Arterial-phase contrast-enhanced abdominal CT, axial slice 72 of 304 (counted from the lowest slice); tube voltage 100 kVp, convolution kernel I30f; slices 2.00 mm thick, 0.809 mm per pixel.
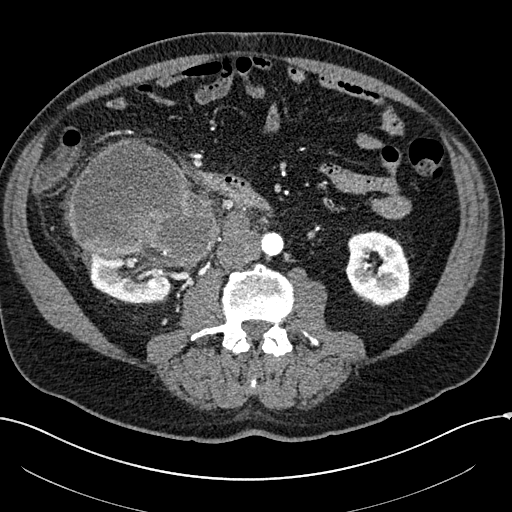
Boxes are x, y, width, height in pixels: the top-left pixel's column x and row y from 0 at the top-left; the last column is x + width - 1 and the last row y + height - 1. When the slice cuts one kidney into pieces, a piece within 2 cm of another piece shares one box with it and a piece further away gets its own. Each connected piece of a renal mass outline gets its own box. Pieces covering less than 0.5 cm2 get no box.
Three boxes on this slice (two kidney boxes and one renal mass box), listed by box centre from the image's left to its right. (1) Right kidney, box x 87, y 253, width 86, height 51 (outlined area 3,236 px, about 21.2 cm2). (2) Right renal mass, box x 67, y 138, width 152, height 133 (outlined area 14,033 px, about 91.8 cm2). (3) Box x 345, y 231, width 65, height 75: left kidney (outlined area 3,708 px, about 24.2 cm2).